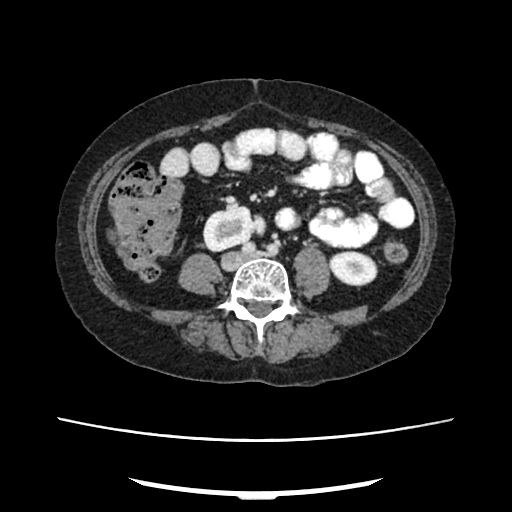
One axial slice (103 of 207, counting up from the lowest) of an arterial-phase abdominal CT acquired with 120 kVp, kernel FC18; each pixel is 0.741 mm and the slice is 2.00 mm thick.
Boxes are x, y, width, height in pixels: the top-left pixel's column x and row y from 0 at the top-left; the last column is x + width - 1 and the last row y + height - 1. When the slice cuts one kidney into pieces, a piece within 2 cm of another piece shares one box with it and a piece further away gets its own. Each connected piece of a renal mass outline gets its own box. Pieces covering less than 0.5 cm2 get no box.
Two boxes on this slice (two kidney boxes), listed by box centre from the image's left to its right. (1) Box x 202, y 205, width 59, height 47: right kidney (outlined area 1,966 px, about 10.8 cm2). (2) Box x 328, y 250, width 50, height 38: left kidney (outlined area 1,386 px, about 7.6 cm2). No renal mass outline on this slice.